Axial slice 506 of 634 of a contrast-enhanced abdominal CT in the arterial phase (slice 1 is the lowest), 120 kVp, kernel B20f; 1.00 mm slice thickness and 0.838 mm pixels.
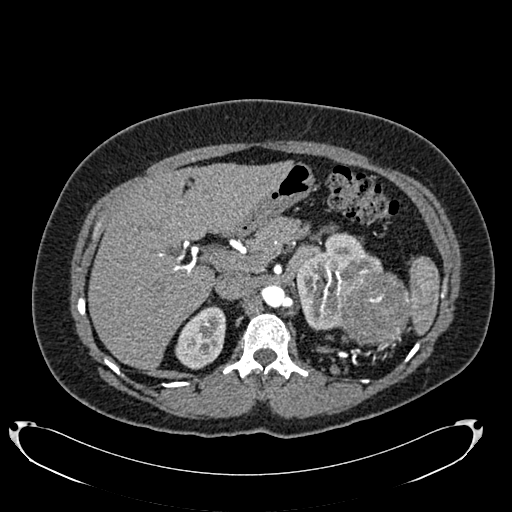
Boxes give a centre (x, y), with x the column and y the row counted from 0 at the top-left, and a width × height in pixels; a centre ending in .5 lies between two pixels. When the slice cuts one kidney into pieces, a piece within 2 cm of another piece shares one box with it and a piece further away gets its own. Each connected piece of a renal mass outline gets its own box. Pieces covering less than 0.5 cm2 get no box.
Two kidney boxes and one renal mass box on this slice; by box centre, from the image's left to its right: (1) Right kidney, box centre (200, 337.5), 51 × 64 pixels (outlined area 2,354 px, about 16.5 cm2). (2) Box centre (339, 280.5), 89 × 98 pixels: left kidney (outlined area 4,331 px, about 30.4 cm2). (3) Left renal mass, box centre (373, 308), 77 × 75 pixels (outlined area 4,650 px, about 32.6 cm2).